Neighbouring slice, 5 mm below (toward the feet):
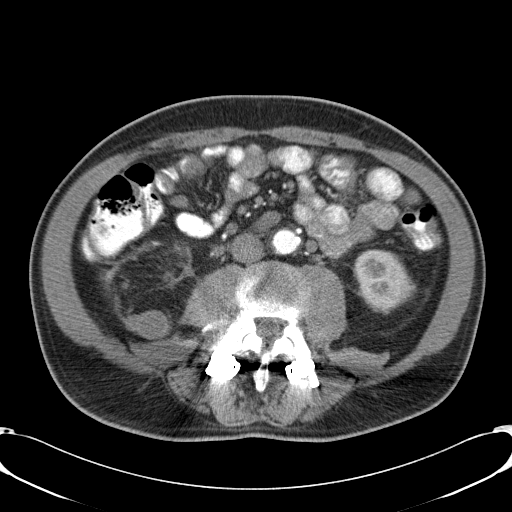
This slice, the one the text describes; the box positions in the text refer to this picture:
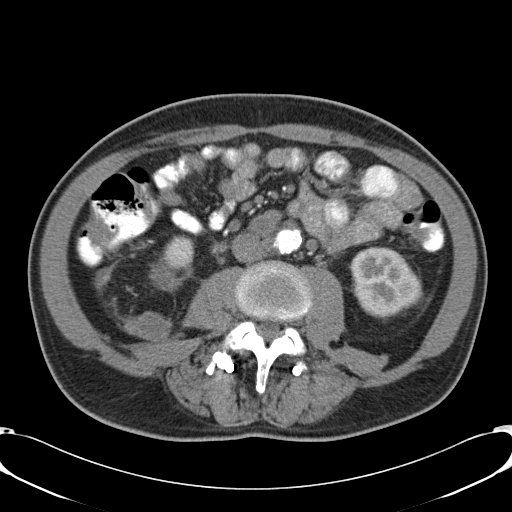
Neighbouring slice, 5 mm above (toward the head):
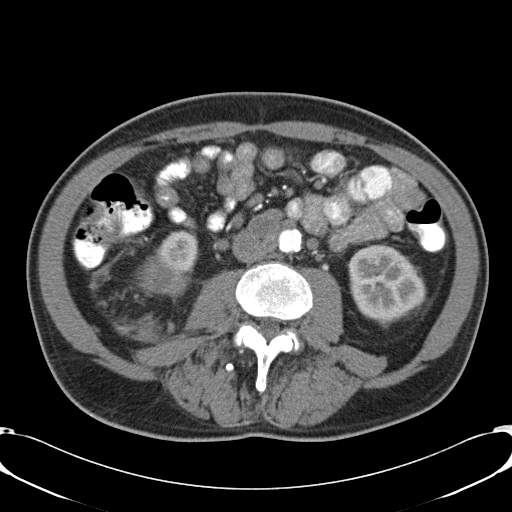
One axial slice (15 of 57, counting up from the lowest) of a contrast-enhanced abdominal CT acquired with 120 kVp, kernel B31f; each pixel is 0.732 mm and the slice is 5.00 mm thick.
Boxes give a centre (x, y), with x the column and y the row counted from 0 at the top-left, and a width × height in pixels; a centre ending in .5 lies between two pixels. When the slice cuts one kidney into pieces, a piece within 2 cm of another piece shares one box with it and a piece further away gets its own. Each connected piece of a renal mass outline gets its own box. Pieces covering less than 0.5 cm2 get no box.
Three boxes on this slice (two kidney boxes and one renal mass box), listed by box centre from the image's left to its right. (1) Box centre (164, 273.5), 31 × 34 pixels: right renal mass (outlined area 783 px, about 4.2 cm2). (2) Right kidney in a box with centre (177.5, 252), 34 × 35 pixels (outlined area 770 px, about 4.1 cm2). (3) Box centre (385.5, 282), 74 × 73 pixels: left kidney (outlined area 3,929 px, about 21.1 cm2). This slice lies near the end of the right renal mass toward the feet; the slices 5 mm below and 5 mm above it are shown too, and the boxes mark positions on this slice only.